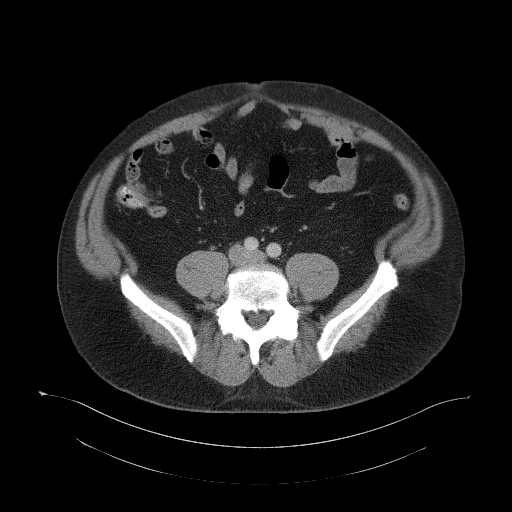
Contrast-enhanced abdominal CT, axial slice 45 of 104 (counted from the lowest slice); 5.00 mm thick, 0.977 mm per pixel. No kidney and no renal mass is outlined on this slice; the outlines in this scan cover only the kidneys and the renal masses, so nothing is said about any other organ.
Scan settings: 120 kVp, B41f reconstruction kernel.